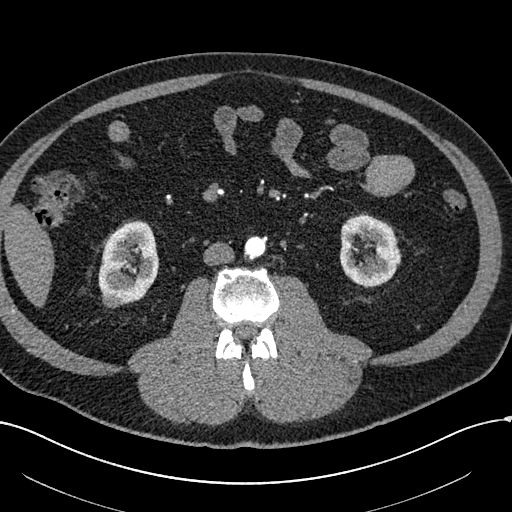
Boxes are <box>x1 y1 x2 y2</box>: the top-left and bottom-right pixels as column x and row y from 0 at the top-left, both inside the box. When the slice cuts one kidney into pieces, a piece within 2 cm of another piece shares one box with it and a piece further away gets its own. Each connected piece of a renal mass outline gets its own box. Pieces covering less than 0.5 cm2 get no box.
Slice 256/602 of a contrast-enhanced abdominal CT in the arterial phase, counting up from the lowest; pixel size 0.799 mm, slice thickness 1.00 mm. Two kidney boxes and one renal mass box on this slice; by box centre, from the image's left to its right: (1) Right renal mass at <box>102 292 120 308</box> (outlined area 262 px, about 1.7 cm2). (2) At <box>98 220 158 305</box>: right kidney (outlined area 3,761 px, about 24.0 cm2). (3) Left kidney at <box>339 212 401 287</box> (outlined area 3,461 px, about 22.1 cm2).
Scan settings: 120 kVp, I30f reconstruction kernel.